Axial slice 111 of 470 of a contrast-enhanced abdominal CT in the arterial phase (slice 1 is the lowest), 120 kVp, kernel I26f; 1.00 mm slice thickness and 0.938 mm pixels.
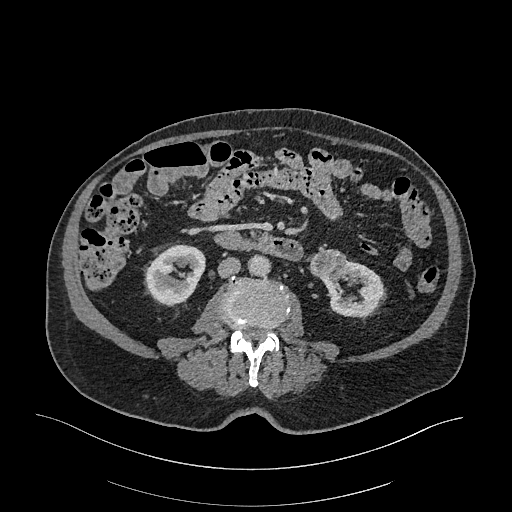
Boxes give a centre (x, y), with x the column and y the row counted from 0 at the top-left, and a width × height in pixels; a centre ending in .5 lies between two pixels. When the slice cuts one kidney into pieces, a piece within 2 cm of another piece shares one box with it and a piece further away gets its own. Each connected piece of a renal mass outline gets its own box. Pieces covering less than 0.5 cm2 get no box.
Two kidney boxes and one renal mass box on this slice; by box centre, from the image's left to its right: (1) Right kidney in a box with centre (175, 274.5), 61 × 62 pixels (outlined area 2,715 px, about 23.9 cm2). (2) Left renal mass, box centre (327, 264), 39 × 31 pixels (outlined area 925 px, about 8.1 cm2). (3) Left kidney in a box with centre (352.5, 288.5), 62 × 58 pixels (outlined area 2,215 px, about 19.5 cm2).